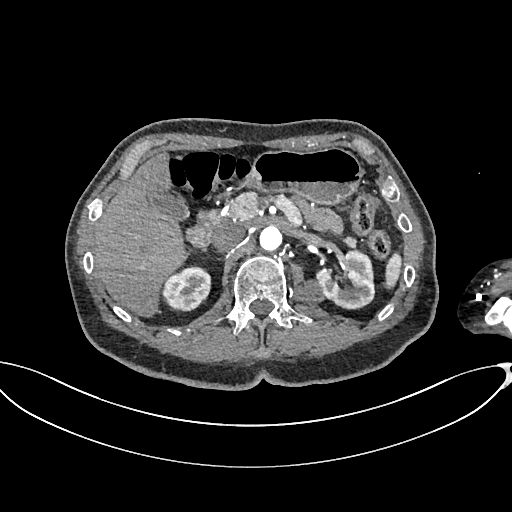
Abdominal CT with intravenous contrast, arterial phase, axial plane, 100 kVp, kernel I26f. Slice 440/665 from the bottom of the scan; thickness 1.00 mm; pixel size 0.828 mm.
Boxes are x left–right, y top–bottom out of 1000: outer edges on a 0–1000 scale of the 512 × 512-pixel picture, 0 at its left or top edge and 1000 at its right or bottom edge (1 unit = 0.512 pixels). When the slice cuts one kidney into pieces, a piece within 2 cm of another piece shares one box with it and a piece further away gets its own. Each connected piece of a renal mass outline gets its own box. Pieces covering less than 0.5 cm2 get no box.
Boxed on this slice (two kidney boxes and one renal mass box), listed by box centre from the image's left to its right: (1) Right kidney, box x 316–414, y 520–609 out of 1000 (outlined area 1,734 px, about 11.9 cm2). (2) Left renal mass at x 568–633, y 543–596 out of 1000 (outlined area 650 px, about 4.5 cm2). (3) Left kidney, box x 615–730, y 490–602 out of 1000 (outlined area 2,439 px, about 16.7 cm2).